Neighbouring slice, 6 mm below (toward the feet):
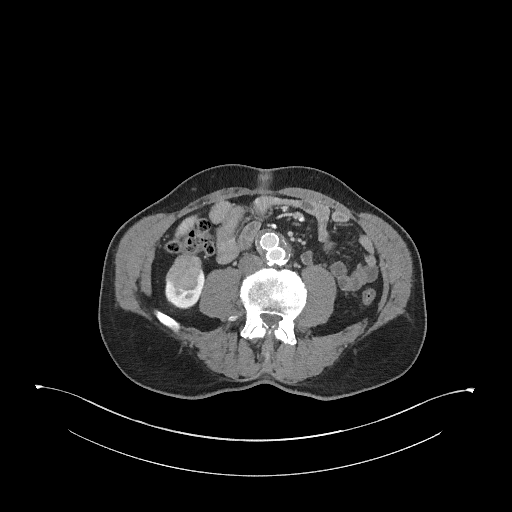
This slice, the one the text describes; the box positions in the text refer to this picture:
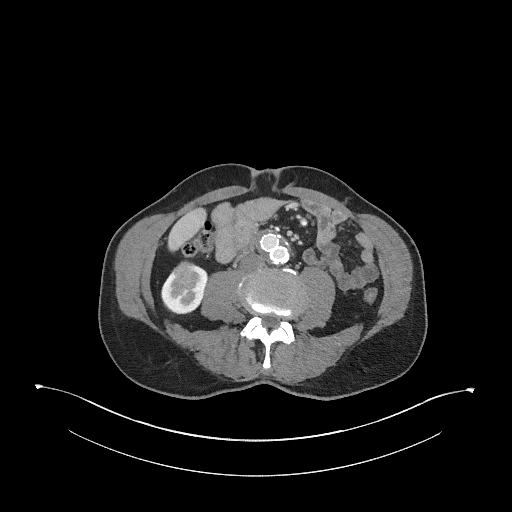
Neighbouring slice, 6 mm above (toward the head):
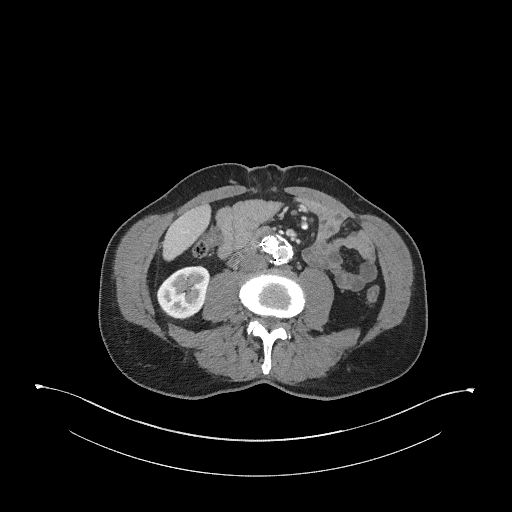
Abdominal CT with intravenous contrast, arterial phase, axial plane, 120 kVp, kernel I31f. Slice 126/345 from the bottom of the scan; thickness 2.00 mm; pixel size 0.977 mm.
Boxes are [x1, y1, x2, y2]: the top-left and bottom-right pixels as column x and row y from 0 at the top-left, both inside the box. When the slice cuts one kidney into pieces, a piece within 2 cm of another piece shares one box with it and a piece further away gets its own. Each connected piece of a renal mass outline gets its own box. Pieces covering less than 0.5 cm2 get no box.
Boxed on this slice (one kidney box and one renal mass box), listed by box centre from the image's left to its right: (1) Right renal mass at [172, 260, 195, 276] (outlined area 279 px, about 2.7 cm2). (2) Box [161, 265, 207, 314]: right kidney (outlined area 1,597 px, about 15.2 cm2). This slice lies near the end of the right renal mass toward the head; the slices 6 mm below and 6 mm above it are shown too, and the boxes mark positions on this slice only.